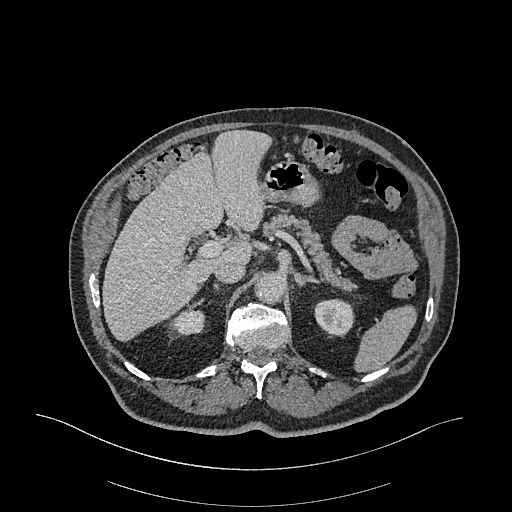
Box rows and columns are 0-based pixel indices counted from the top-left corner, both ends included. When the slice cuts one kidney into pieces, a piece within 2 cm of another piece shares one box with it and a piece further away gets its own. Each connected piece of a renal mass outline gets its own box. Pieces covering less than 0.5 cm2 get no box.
This is axial slice 243 of 470 (slice 1 is the lowest) of an arterial-phase abdominal CT with contrast; each pixel is 0.938 mm and the slice is 1.00 mm thick. Boxed on this slice (two kidney boxes), listed by box centre from the image's left to its right: (1) Right kidney at rows 308–335, columns 173–205 (outlined area 692 px, about 6.1 cm2). (2) Left kidney at rows 298–335, columns 314–354 (outlined area 1,214 px, about 10.7 cm2). No renal mass is outlined on this slice.
Acquired at 120 kVp and reconstructed with the I26f kernel.